Arterial-phase contrast-enhanced abdominal CT, axial slice 325 of 665 (counted from the lowest slice); tube voltage 100 kVp, convolution kernel I26f; slices 1.00 mm thick, 0.828 mm per pixel.
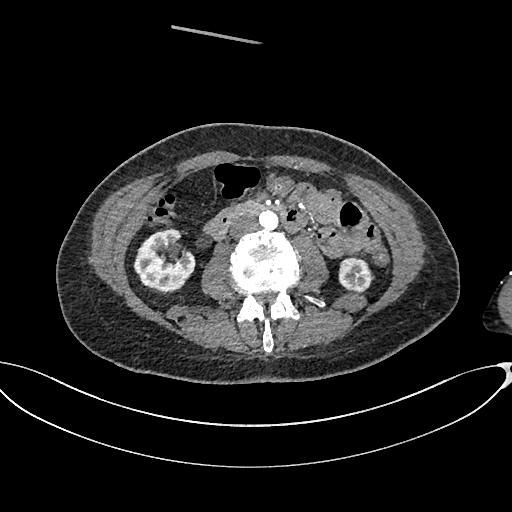
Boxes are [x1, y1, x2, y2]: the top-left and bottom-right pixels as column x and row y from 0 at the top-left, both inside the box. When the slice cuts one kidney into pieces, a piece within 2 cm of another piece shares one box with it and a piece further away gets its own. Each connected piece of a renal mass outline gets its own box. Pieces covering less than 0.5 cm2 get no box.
Boxed on this slice (two kidney boxes), listed by box centre from the image's left to its right: (1) Right kidney, box [133, 228, 195, 294] (outlined area 2,912 px, about 20.0 cm2). (2) Box [338, 256, 373, 292]: left kidney (outlined area 982 px, about 6.7 cm2). No renal mass outline on this slice.